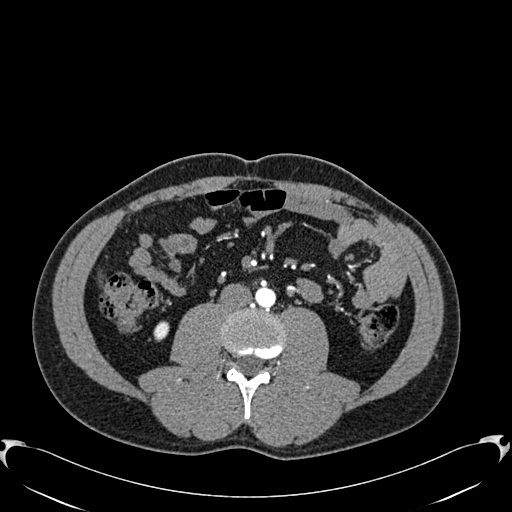
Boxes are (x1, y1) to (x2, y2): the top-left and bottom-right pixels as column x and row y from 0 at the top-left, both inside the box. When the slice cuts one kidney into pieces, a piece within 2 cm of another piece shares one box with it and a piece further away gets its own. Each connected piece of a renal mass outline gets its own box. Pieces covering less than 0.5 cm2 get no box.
Arterial-phase contrast-enhanced abdominal CT, axial slice 257 of 512 (counted from the lowest slice); 1.00 mm thick, 0.771 mm per pixel. Box (153, 321) to (169, 340): right kidney (outlined area 251 px, about 1.5 cm2). No renal mass is outlined on this slice.
Scan settings: 120 kVp, B30f reconstruction kernel.